Axial slice 174 of 548 of a contrast-enhanced abdominal CT in the arterial phase (slice 1 is the lowest), 120 kVp, kernel I26f; 1.00 mm slice thickness and 0.852 mm pixels.
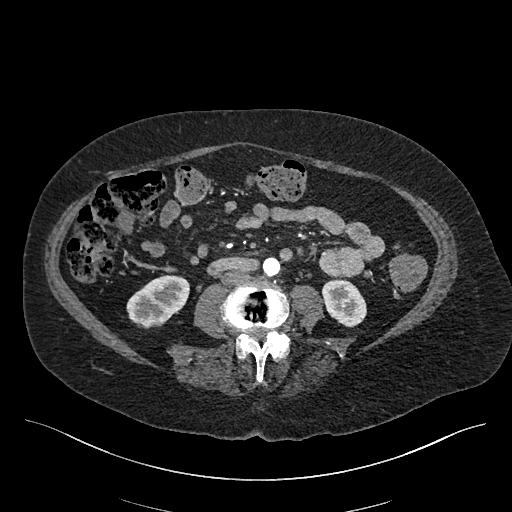
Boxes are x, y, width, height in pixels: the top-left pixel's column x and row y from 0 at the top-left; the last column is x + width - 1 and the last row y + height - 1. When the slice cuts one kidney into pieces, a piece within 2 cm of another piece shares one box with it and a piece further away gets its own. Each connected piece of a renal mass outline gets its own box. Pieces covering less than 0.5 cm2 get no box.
Boxed on this slice (two kidney boxes), listed by box centre from the image's left to its right: (1) Right kidney, box x 126, y 275, width 64, height 54 (outlined area 2,374 px, about 17.2 cm2). (2) Box x 321, y 279, width 46, height 49: left kidney (outlined area 1,611 px, about 11.7 cm2). No renal mass is outlined on this slice.